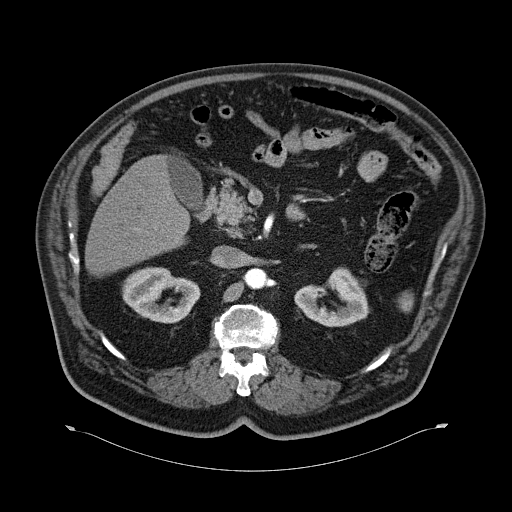
Axial slice 38 of 70 of a contrast-enhanced abdominal CT in the arterial phase (slice 1 is the lowest), 120 kVp, kernel B30f; 5.00 mm slice thickness and 0.977 mm pixels.
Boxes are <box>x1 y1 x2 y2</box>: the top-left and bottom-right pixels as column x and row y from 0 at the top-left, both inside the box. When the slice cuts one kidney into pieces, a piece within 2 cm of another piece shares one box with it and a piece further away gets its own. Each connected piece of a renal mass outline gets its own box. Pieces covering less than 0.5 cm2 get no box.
Two boxes on this slice (two kidney boxes), listed by box centre from the image's left to its right. (1) Right kidney: <box>122 267 200 323</box> (outlined area 3,019 px, about 28.8 cm2). (2) Left kidney at <box>295 267 369 327</box> (outlined area 2,674 px, about 25.5 cm2). No renal mass is outlined on this slice.